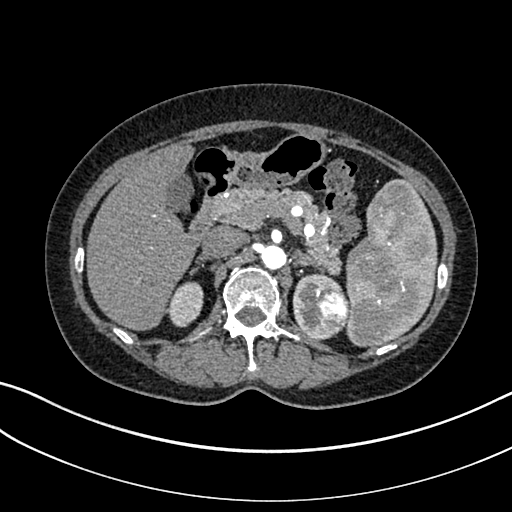
Axial slice 221 of 325 of a contrast-enhanced abdominal CT in the arterial phase (slice 1 is the lowest), 100 kVp, kernel I30f; 1.00 mm slice thickness and 0.703 mm pixels.
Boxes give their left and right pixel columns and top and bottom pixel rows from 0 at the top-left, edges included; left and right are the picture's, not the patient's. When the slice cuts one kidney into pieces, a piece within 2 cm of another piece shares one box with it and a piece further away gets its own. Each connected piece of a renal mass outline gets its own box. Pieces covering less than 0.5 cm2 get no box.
Two kidney boxes and one renal mass box on this slice; by box centre, from the image's left to its right: (1) Right kidney, the box with left 167, top 281, right 203, bottom 327 (outlined area 1,255 px, about 6.2 cm2). (2) Box with left 292, top 273, right 341, bottom 340: left kidney (outlined area 1,681 px, about 8.3 cm2). (3) Box with left 314, top 288, right 349, bottom 333: left renal mass (outlined area 1,297 px, about 6.4 cm2).